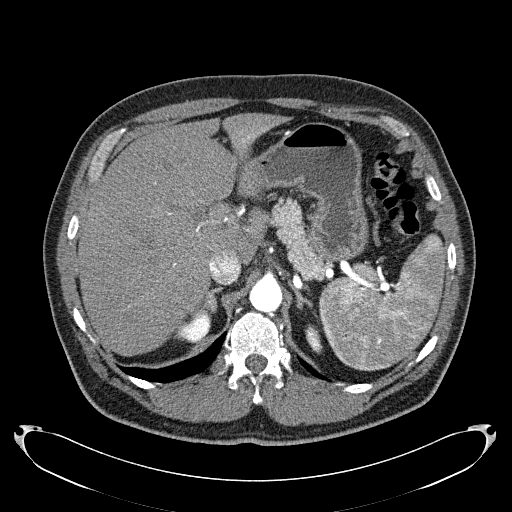
Axial slice 174 of 279 of a contrast-enhanced abdominal CT in the arterial phase (slice 1 is the lowest), 120 kVp, kernel B31f; 2.00 mm slice thickness and 0.824 mm pixels.
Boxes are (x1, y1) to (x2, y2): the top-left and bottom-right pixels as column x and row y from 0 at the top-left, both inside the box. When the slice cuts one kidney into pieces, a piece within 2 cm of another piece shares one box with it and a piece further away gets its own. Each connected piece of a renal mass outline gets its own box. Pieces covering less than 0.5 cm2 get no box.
Two boxes on this slice (two kidney boxes), listed by box centre from the image's left to its right. (1) Right kidney, box (174, 312) to (210, 342) (outlined area 754 px, about 5.1 cm2). (2) Left kidney, box (305, 324) to (322, 353) (outlined area 342 px, about 2.3 cm2). No renal mass outline on this slice.